Axial slice 99 of 163 of a contrast-enhanced abdominal CT (slice 1 is the lowest), 100 kVp, kernel I40f; 3.00 mm slice thickness and 0.799 mm pixels.
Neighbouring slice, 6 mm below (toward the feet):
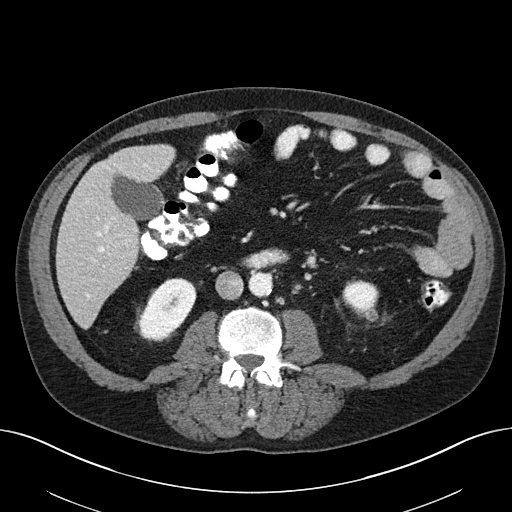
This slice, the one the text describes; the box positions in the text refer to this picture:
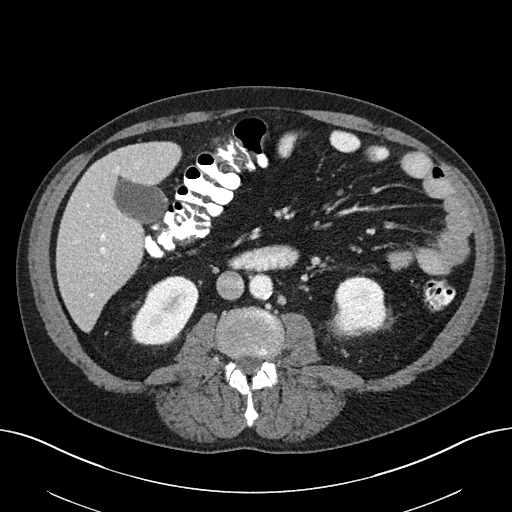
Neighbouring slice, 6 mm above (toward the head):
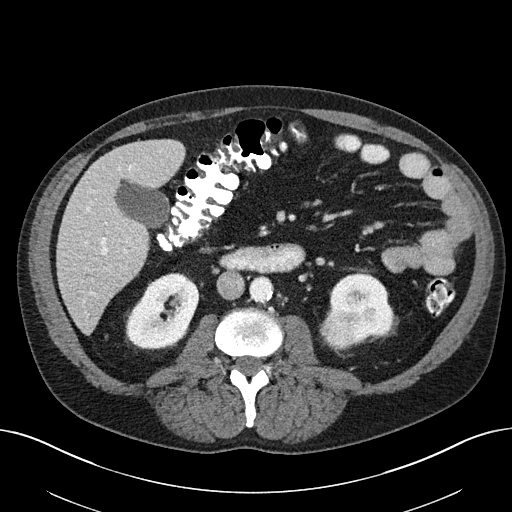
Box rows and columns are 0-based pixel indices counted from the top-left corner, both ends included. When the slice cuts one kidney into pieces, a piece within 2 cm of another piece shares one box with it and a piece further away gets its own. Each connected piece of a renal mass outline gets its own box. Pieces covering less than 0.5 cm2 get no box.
Boxed on this slice (two kidney boxes and one renal mass box), listed by box centre from the image's left to its right: (1) Box rows 276–344, columns 131–198: right kidney (outlined area 3,280 px, about 20.9 cm2). (2) Box rows 313–336, columns 331–359: left renal mass (outlined area 539 px, about 3.4 cm2). (3) Left kidney, box rows 276–334, columns 335–388 (outlined area 2,181 px, about 13.9 cm2). This slice lies near the end of the left renal mass toward the feet; the slices 6 mm below and 6 mm above it are shown too, and the boxes mark positions on this slice only.